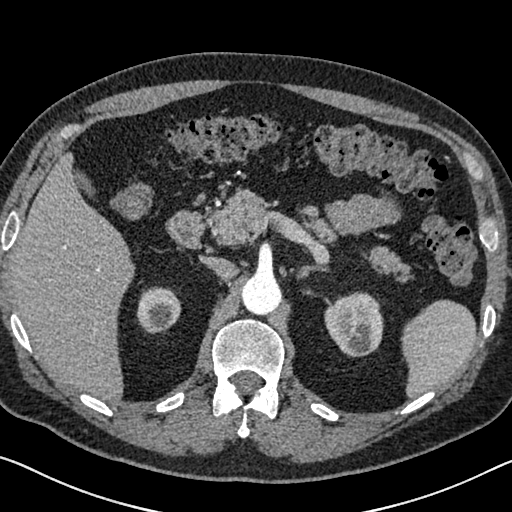
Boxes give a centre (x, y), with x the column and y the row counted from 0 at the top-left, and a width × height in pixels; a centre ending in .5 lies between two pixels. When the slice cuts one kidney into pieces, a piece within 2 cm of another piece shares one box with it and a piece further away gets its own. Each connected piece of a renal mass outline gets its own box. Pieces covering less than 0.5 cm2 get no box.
Arterial-phase contrast-enhanced abdominal CT, axial slice 471 of 626 (counted from the lowest slice); 1.00 mm thick, 0.703 mm per pixel. Boxed on this slice (two kidney boxes), listed by box centre from the image's left to its right: (1) Box centre (158.5, 309.5), 46 × 48 pixels: right kidney (outlined area 1,649 px, about 8.2 cm2). (2) Left kidney in a box with centre (353.5, 324.5), 60 × 66 pixels (outlined area 2,977 px, about 14.7 cm2). No renal mass is outlined on this slice.
Scan settings: 120 kVp, I30f reconstruction kernel.